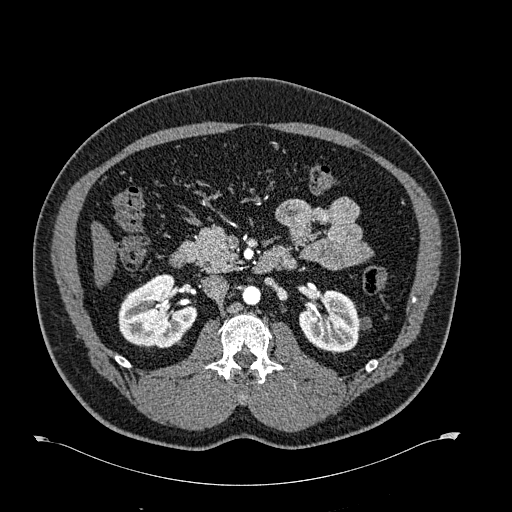
Abdominal CT with intravenous contrast, arterial phase, axial plane, 120 kVp, kernel B30f. Slice 372/723 from the bottom of the scan; thickness 1.00 mm; pixel size 0.895 mm.
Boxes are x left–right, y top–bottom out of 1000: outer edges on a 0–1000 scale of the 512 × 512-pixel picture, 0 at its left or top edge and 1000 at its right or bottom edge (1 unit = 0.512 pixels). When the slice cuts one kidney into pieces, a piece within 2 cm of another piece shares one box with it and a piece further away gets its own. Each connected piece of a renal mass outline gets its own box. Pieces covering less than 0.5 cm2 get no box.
Two boxes on this slice (two kidney boxes), listed by box centre from the image's left to its right. (1) Box x 230–387, y 535–682 out of 1000: right kidney (outlined area 4,215 px, about 33.7 cm2). (2) Left kidney, box x 584–727, y 566–689 out of 1000 (outlined area 2,992 px, about 23.9 cm2). This slice carries no renal mass outline.